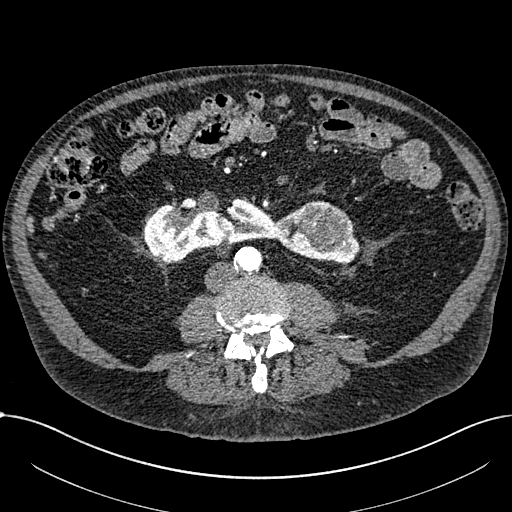
Abdominal CT with intravenous contrast, arterial phase, axial plane, 100 kVp, kernel I30f. Slice 287/1059 from the bottom of the scan; thickness 1.00 mm; pixel size 0.811 mm.
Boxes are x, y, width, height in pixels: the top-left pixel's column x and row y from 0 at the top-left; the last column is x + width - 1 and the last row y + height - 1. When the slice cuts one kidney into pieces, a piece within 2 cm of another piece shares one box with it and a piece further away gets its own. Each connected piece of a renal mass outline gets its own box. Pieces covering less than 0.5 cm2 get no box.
Two boxes on this slice (one kidney box and one renal mass box), listed by box centre from the image's left to its right. (1) Box x 143, y 197, width 217, height 67: kidney crossing the body midline (outlined area 7,808 px, about 51.3 cm2). (2) Renal mass, box x 300, y 200, width 52, height 50 (outlined area 1,933 px, about 12.7 cm2).